One axial slice (101 of 269, counting up from the lowest) of a contrast-enhanced abdominal CT acquired with 100 kVp, kernel I30f; each pixel is 0.732 mm and the slice is 5.00 mm thick.
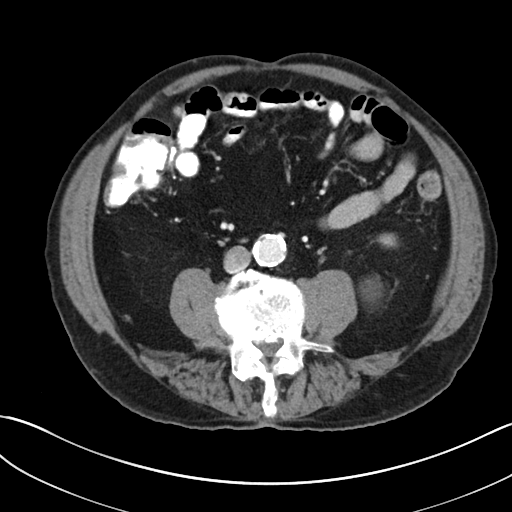
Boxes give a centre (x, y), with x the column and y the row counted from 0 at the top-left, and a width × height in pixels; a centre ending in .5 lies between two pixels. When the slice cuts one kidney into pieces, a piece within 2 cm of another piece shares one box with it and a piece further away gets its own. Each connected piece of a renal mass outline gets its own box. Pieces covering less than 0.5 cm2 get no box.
Two kidney boxes on this slice; by box centre, from the image's left to its right: (1) Left kidney (one of two boxed parts) in a box with centre (370.5, 289), 22 × 27 pixels (outlined area 420 px, about 2.3 cm2). (2) Left kidney (one of two boxed parts) in a box with centre (386.5, 240), 22 × 15 pixels (outlined area 255 px, about 1.4 cm2). No renal mass outline on this slice.